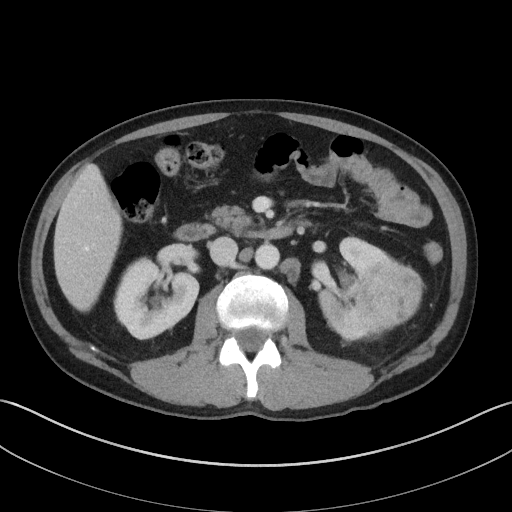
Contrast-enhanced abdominal CT, axial slice 65 of 143 (counted from the lowest slice); tube voltage 100 kVp, convolution kernel I41f; slices 5.00 mm thick, 0.734 mm per pixel.
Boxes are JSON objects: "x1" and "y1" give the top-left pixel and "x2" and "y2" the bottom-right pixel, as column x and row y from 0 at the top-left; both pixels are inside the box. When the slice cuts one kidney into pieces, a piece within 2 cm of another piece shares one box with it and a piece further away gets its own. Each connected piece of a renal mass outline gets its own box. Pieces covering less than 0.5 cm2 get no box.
Three boxes on this slice (two kidney boxes and one renal mass box), listed by box centre from the image's left to its right. (1) Box {"x1": 113, "y1": 257, "x2": 199, "y2": 340}: right kidney (outlined area 5,068 px, about 27.3 cm2). (2) Left kidney, box {"x1": 318, "y1": 236, "x2": 400, "y2": 342} (outlined area 4,537 px, about 24.5 cm2). (3) Left renal mass, box {"x1": 361, "y1": 260, "x2": 425, "y2": 323} (outlined area 3,104 px, about 16.7 cm2).